One axial slice (243 of 548, counting up from the lowest) of an arterial-phase abdominal CT acquired with 120 kVp, kernel I26f; each pixel is 0.852 mm and the slice is 1.00 mm thick.
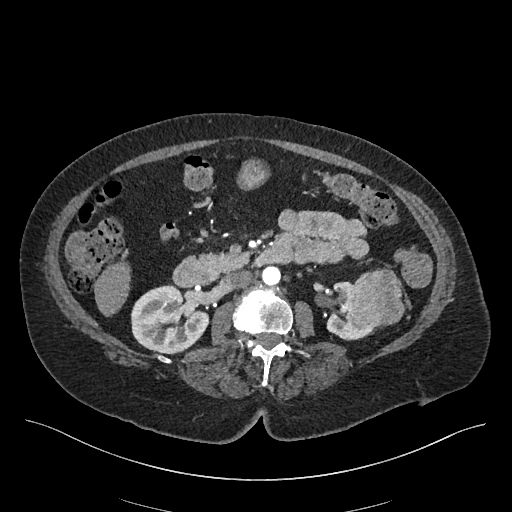
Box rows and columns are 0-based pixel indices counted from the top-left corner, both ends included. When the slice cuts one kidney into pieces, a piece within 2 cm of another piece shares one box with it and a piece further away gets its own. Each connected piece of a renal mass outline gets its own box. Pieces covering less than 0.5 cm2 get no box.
Three boxes on this slice (two kidney boxes and one renal mass box), listed by box centre from the image's left to its right. (1) Right kidney, box rows 284–354, columns 130–209 (outlined area 4,075 px, about 29.6 cm2). (2) Left kidney, box rows 281–340, columns 326–377 (outlined area 1,259 px, about 9.1 cm2). (3) Left renal mass, box rows 268–328, columns 341–405 (outlined area 2,881 px, about 20.9 cm2).